One axial slice (230 of 470, counting up from the lowest) of an arterial-phase abdominal CT acquired with 120 kVp, kernel I26f; each pixel is 0.938 mm and the slice is 1.00 mm thick.
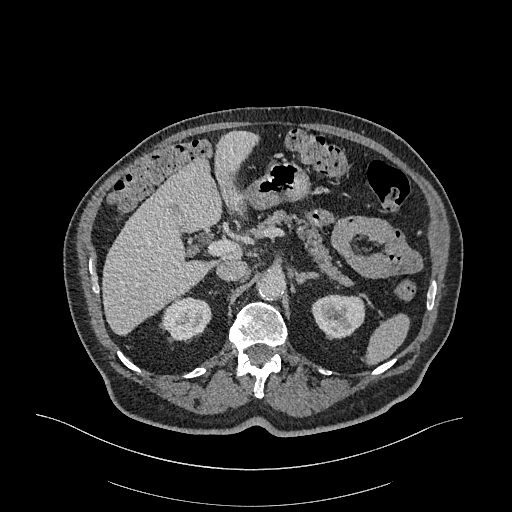
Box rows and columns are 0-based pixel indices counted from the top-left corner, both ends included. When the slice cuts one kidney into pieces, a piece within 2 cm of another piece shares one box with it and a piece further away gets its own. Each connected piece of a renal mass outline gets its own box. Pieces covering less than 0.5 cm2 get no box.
Two boxes on this slice (two kidney boxes), listed by box centre from the image's left to its right. (1) Right kidney at rows 296–340, columns 162–212 (outlined area 1,661 px, about 14.6 cm2). (2) Box rows 294–338, columns 311–365: left kidney (outlined area 1,879 px, about 16.5 cm2). This slice carries no renal mass outline.